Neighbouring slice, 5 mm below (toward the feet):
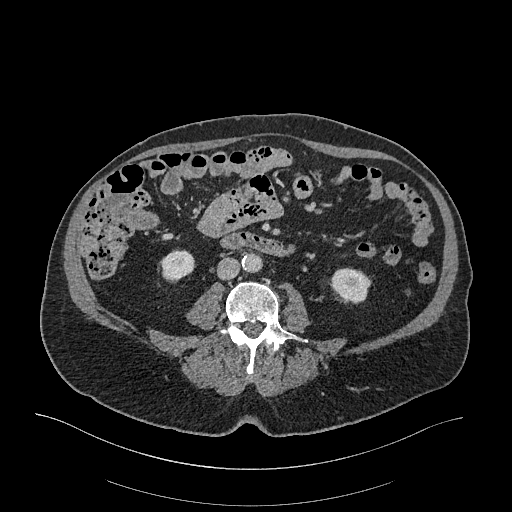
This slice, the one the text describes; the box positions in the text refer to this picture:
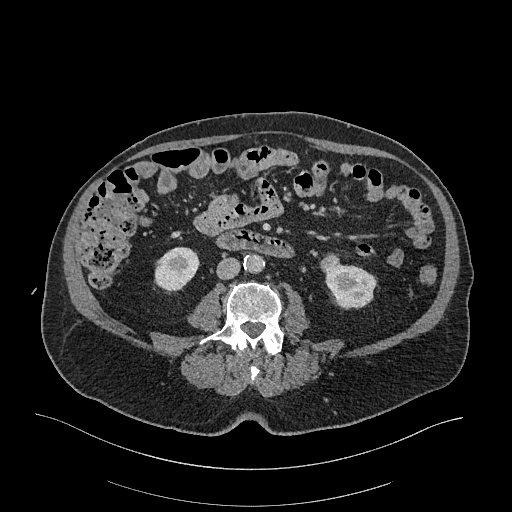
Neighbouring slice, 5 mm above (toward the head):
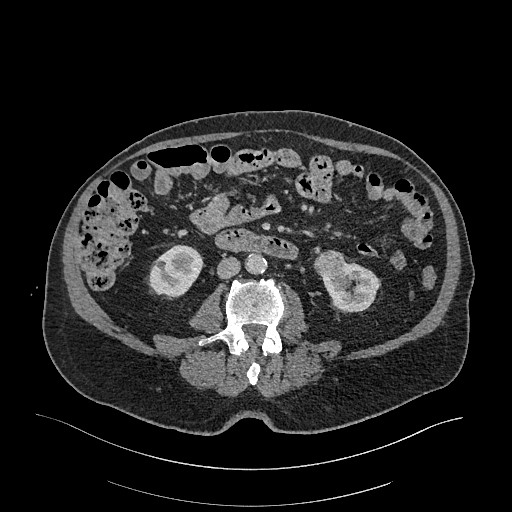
Abdominal CT with intravenous contrast, arterial phase, axial plane, 120 kVp, kernel I26f. Slice 86/470 from the bottom of the scan; thickness 1.00 mm; pixel size 0.938 mm.
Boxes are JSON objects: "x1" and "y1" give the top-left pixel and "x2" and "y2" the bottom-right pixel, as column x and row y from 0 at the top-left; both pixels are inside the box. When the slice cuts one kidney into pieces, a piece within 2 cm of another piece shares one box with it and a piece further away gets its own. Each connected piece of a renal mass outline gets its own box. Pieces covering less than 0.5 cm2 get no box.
Boxed on this slice (two kidney boxes and one renal mass box), listed by box centre from the image's left to its right: (1) Right kidney at {"x1": 154, "y1": 246, "x2": 199, "y2": 291} (outlined area 1,545 px, about 13.6 cm2). (2) Left renal mass at {"x1": 320, "y1": 253, "x2": 339, "y2": 272} (outlined area 292 px, about 2.6 cm2). (3) Box {"x1": 325, "y1": 263, "x2": 376, "y2": 309}: left kidney (outlined area 1,787 px, about 15.7 cm2). This slice lies near the end of the left renal mass toward the feet; the slices 5 mm below and 5 mm above it are shown too, and the boxes mark positions on this slice only.